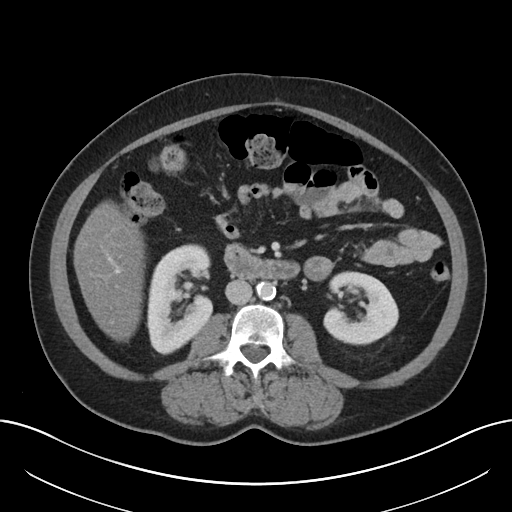
Contrast-enhanced abdominal CT, axial slice 107 of 197 (counted from the lowest slice); tube voltage 120 kVp, convolution kernel I30f; slices 5.00 mm thick, 0.791 mm per pixel.
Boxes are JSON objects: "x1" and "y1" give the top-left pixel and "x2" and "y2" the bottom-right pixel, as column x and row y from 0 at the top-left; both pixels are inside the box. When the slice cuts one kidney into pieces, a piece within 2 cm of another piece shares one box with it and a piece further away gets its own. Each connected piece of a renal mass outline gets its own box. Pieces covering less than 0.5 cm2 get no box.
Two kidney boxes on this slice; by box centre, from the image's left to its right: (1) Right kidney, box {"x1": 147, "y1": 243, "x2": 213, "y2": 353} (outlined area 5,551 px, about 34.7 cm2). (2) Box {"x1": 322, "y1": 271, "x2": 398, "y2": 345}: left kidney (outlined area 4,092 px, about 25.6 cm2). No renal mass is outlined on this slice.